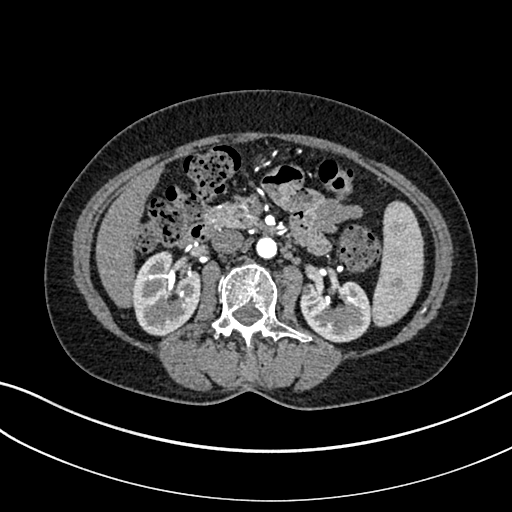
One axial slice (161 of 325, counting up from the lowest) of an arterial-phase abdominal CT acquired with 100 kVp, kernel I30f; each pixel is 0.703 mm and the slice is 1.00 mm thick.
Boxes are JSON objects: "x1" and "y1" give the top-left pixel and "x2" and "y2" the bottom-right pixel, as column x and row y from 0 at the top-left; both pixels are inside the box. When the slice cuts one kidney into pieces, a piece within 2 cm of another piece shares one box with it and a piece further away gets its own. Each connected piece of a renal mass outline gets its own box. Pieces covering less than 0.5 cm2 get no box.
Two kidney boxes on this slice; by box centre, from the image's left to its right: (1) Box {"x1": 132, "y1": 251, "x2": 201, "y2": 336}: right kidney (outlined area 4,424 px, about 21.9 cm2). (2) Left kidney, box {"x1": 300, "y1": 280, "x2": 371, "y2": 342} (outlined area 3,482 px, about 17.2 cm2). No renal mass outline on this slice.